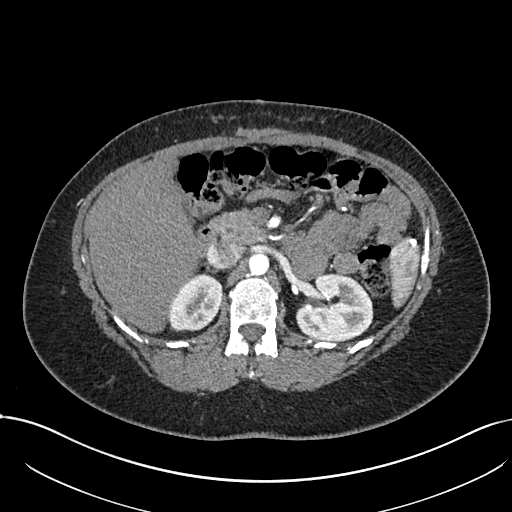
One axial slice (471 of 738, counting up from the lowest) of an arterial-phase abdominal CT acquired with 120 kVp, kernel I30f; each pixel is 0.789 mm and the slice is 1.00 mm thick.
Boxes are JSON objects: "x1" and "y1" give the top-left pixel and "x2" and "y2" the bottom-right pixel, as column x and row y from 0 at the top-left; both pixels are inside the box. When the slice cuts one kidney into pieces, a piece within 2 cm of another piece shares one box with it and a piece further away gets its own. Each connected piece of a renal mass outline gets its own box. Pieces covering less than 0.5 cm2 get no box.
Boxed on this slice (two kidney boxes), listed by box centre from the image's left to its right: (1) Box {"x1": 167, "y1": 273, "x2": 220, "y2": 331}: right kidney (outlined area 2,406 px, about 15.0 cm2). (2) Box {"x1": 295, "y1": 273, "x2": 373, "y2": 341}: left kidney (outlined area 4,129 px, about 25.7 cm2). No renal mass is outlined on this slice.